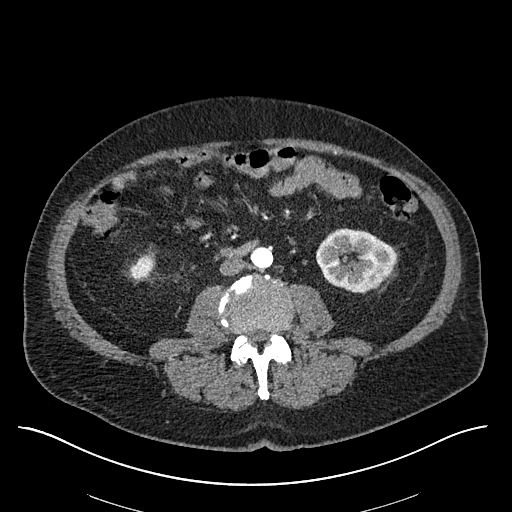
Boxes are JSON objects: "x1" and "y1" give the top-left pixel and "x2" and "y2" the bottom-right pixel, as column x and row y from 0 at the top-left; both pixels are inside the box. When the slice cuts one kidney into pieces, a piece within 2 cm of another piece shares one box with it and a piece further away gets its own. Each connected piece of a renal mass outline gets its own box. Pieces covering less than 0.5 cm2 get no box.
Arterial-phase contrast-enhanced abdominal CT, axial slice 249 of 670 (counted from the lowest slice); 1.00 mm thick, 0.861 mm per pixel. Two boxes on this slice (two kidney boxes), listed by box centre from the image's left to its right. (1) Right kidney at {"x1": 129, "y1": 255, "x2": 154, "y2": 280} (outlined area 461 px, about 3.4 cm2). (2) Box {"x1": 316, "y1": 228, "x2": 397, "y2": 293}: left kidney (outlined area 3,922 px, about 29.1 cm2). This slice carries no renal mass outline.
Tube voltage 120 kVp; convolution kernel I30f.